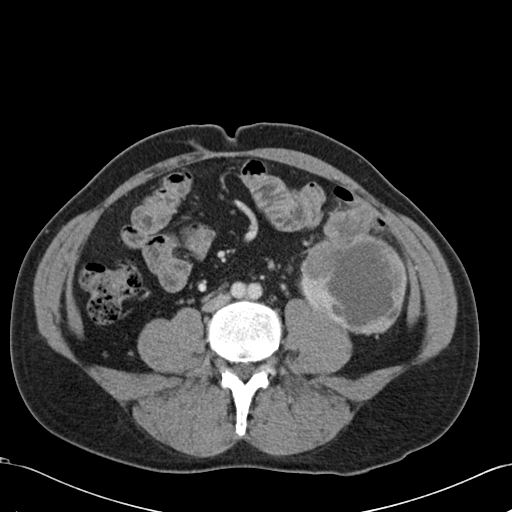
Axial slice 47 of 99 of a contrast-enhanced abdominal CT in the arterial phase (slice 1 is the lowest), 120 kVp, kernel B30f; 5.00 mm slice thickness and 0.693 mm pixels.
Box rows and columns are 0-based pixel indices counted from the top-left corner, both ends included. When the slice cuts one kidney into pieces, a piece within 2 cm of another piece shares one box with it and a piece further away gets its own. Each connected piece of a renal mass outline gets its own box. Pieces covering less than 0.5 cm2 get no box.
Left renal mass, box rows 206–334, columns 298–407 (outlined area 9,648 px, about 46.4 cm2); no kidney outline appears on this slice, but the same outlined renal mass comes within 1 cm of the kidney on another slice.